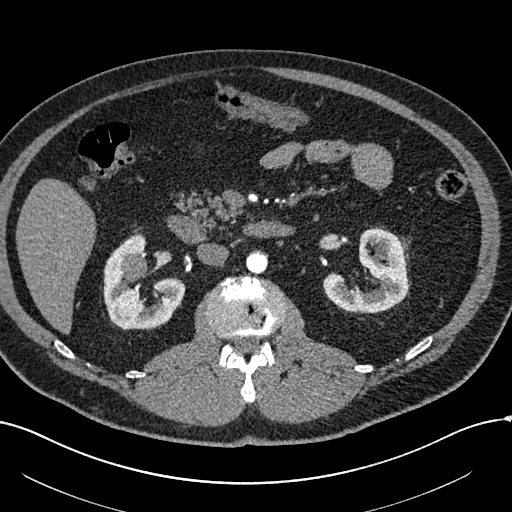
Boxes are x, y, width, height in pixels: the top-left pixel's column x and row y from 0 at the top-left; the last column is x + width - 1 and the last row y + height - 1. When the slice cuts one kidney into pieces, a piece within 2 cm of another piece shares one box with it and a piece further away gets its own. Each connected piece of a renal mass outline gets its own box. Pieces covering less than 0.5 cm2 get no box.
Slice 337/602 of a contrast-enhanced abdominal CT in the arterial phase, counting up from the lowest; pixel size 0.799 mm, slice thickness 1.00 mm. Three boxes on this slice (two kidney boxes and one renal mass box), listed by box centre from the image's left to its right. (1) Box x 120, y 253, width 28, height 30: right renal mass (outlined area 630 px, about 4.0 cm2). (2) Box x 103, y 234, width 83, height 96: right kidney (outlined area 4,390 px, about 28.0 cm2). (3) Box x 323, y 228, width 86, height 86: left kidney (outlined area 4,437 px, about 28.3 cm2).
Acquired at 120 kVp and reconstructed with the I30f kernel.